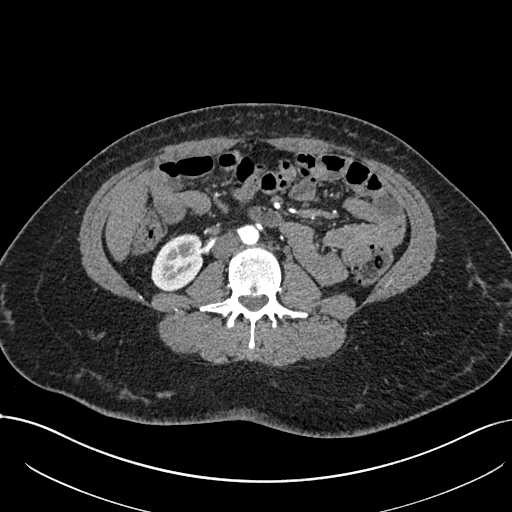
One axial slice (335 of 738, counting up from the lowest) of an arterial-phase abdominal CT acquired with 120 kVp, kernel I30f; each pixel is 0.789 mm and the slice is 1.00 mm thick.
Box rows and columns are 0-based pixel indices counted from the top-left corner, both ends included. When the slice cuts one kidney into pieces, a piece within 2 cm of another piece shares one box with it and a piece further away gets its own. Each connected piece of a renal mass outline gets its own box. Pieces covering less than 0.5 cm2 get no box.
Right kidney, box rows 233–292, columns 151–203 (outlined area 2,302 px, about 14.3 cm2). No renal mass is outlined on this slice.